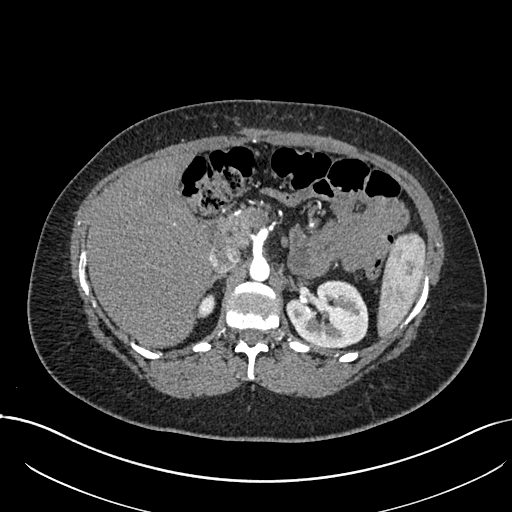
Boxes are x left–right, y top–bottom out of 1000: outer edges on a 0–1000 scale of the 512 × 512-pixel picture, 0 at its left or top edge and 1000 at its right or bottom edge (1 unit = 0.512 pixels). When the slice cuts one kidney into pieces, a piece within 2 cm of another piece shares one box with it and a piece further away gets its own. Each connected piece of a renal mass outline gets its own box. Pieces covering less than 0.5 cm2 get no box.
This is axial slice 495 of 738 (slice 1 is the lowest) of an arterial-phase abdominal CT with contrast; each pixel is 0.789 mm and the slice is 1.00 mm thick. Two boxes on this slice (two kidney boxes), listed by box centre from the image's left to its right. (1) Right kidney at x 383–422, y 574–623 out of 1000 (outlined area 309 px, about 1.9 cm2). (2) Box x 559–721, y 547–680 out of 1000: left kidney (outlined area 4,243 px, about 26.4 cm2). No renal mass is outlined on this slice.
Scan settings: 120 kVp, I30f reconstruction kernel.